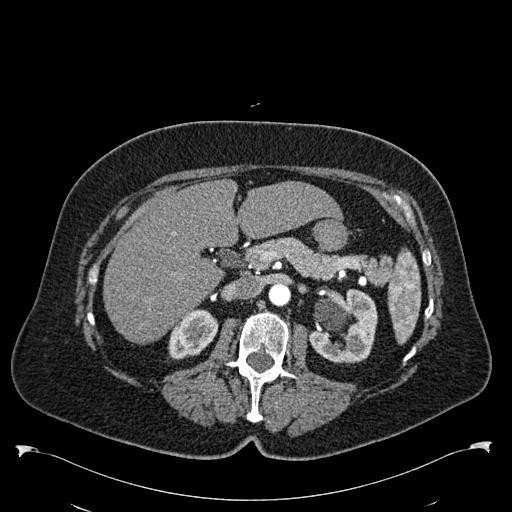
Abdominal CT with intravenous contrast, arterial phase, axial plane, 120 kVp, kernel B30f. Slice 357/538 from the bottom of the scan; thickness 1.00 mm; pixel size 0.811 mm.
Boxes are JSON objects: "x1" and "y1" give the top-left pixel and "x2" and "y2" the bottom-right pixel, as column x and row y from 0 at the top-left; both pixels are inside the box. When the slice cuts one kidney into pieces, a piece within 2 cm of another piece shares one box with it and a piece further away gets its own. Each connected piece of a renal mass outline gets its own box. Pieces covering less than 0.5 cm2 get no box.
Two kidney boxes on this slice; by box centre, from the image's left to its right: (1) Right kidney at {"x1": 167, "y1": 309, "x2": 218, "y2": 359} (outlined area 1,802 px, about 11.8 cm2). (2) Left kidney at {"x1": 308, "y1": 289, "x2": 377, "y2": 363} (outlined area 3,774 px, about 24.8 cm2). This slice carries no renal mass outline.